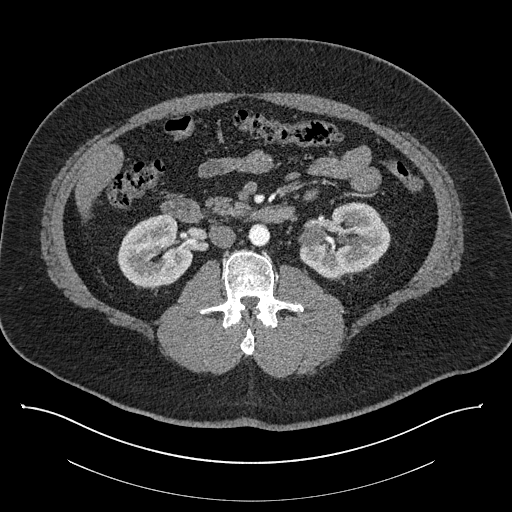
Axial slice 470 of 787 of a contrast-enhanced abdominal CT (slice 1 is the lowest), 140 kVp, kernel I30f; 1.00 mm slice thickness and 0.910 mm pixels.
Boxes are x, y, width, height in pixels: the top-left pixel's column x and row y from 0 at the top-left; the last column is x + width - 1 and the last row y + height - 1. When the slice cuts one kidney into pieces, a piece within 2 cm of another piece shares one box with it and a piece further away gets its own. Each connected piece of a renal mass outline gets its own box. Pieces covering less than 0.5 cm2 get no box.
Boxed on this slice (two kidney boxes), listed by box centre from the image's left to its right: (1) Right kidney, box x 117, y 213, width 77, height 76 (outlined area 4,171 px, about 34.6 cm2). (2) Box x 299, y 202, width 92, height 78: left kidney (outlined area 5,166 px, about 42.8 cm2). No renal mass is outlined on this slice.